Contrast-enhanced abdominal CT, axial slice 27 of 69 (counted from the lowest slice); tube voltage 140 kVp, convolution kernel I41f; slices 3.00 mm thick, 0.736 mm per pixel.
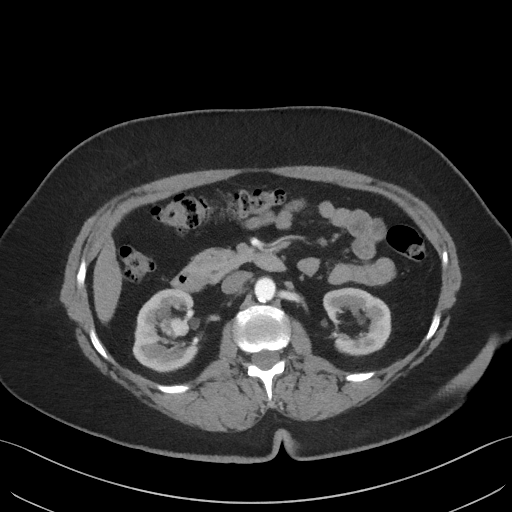
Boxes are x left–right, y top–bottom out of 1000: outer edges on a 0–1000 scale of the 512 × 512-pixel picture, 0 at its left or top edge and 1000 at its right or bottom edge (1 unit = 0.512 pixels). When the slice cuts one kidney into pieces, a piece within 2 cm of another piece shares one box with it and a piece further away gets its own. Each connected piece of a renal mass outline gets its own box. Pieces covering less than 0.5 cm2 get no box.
Three boxes on this slice (two kidney boxes and one renal mass box), listed by box centre from the image's left to its right. (1) Box x 258–391, y 566–729 out of 1000: right kidney (outlined area 3,771 px, about 20.4 cm2). (2) Right renal mass, box x 313–369, y 617–662 out of 1000 (outlined area 484 px, about 2.6 cm2). (3) Box x 631–766, y 561–697 out of 1000: left kidney (outlined area 3,263 px, about 17.7 cm2).